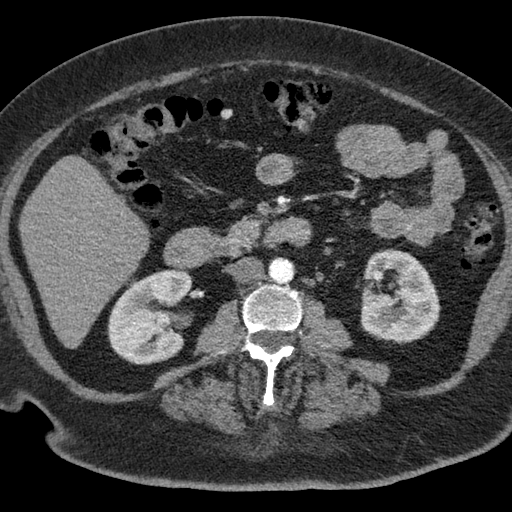
Abdominal CT with intravenous contrast, axial plane, 120 kVp, kernel B. Slice 29/76 from the bottom of the scan; thickness 3.00 mm; pixel size 0.684 mm.
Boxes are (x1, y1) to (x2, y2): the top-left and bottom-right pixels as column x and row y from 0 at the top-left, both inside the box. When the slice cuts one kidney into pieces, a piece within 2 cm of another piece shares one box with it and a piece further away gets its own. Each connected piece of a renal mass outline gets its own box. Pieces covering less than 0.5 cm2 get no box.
Two boxes on this slice (two kidney boxes), listed by box centre from the image's left to its right. (1) Box (107, 269) to (192, 364): right kidney (outlined area 6,076 px, about 28.4 cm2). (2) Left kidney, box (360, 248) to (440, 343) (outlined area 5,863 px, about 27.4 cm2). No renal mass is outlined on this slice.